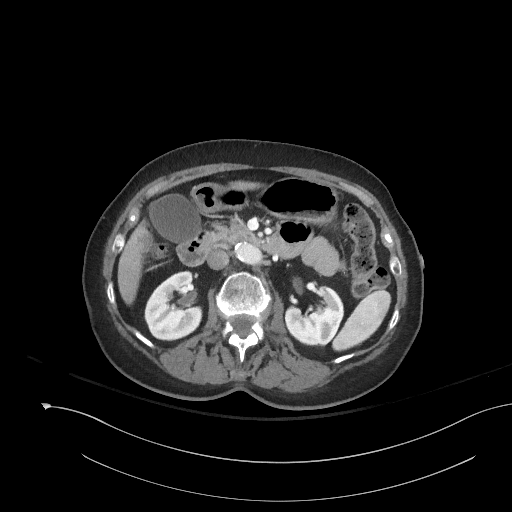
Abdominal CT with intravenous contrast, axial plane, 120 kVp, kernel I41f. Slice 100/153 from the bottom of the scan; thickness 3.00 mm; pixel size 0.893 mm.
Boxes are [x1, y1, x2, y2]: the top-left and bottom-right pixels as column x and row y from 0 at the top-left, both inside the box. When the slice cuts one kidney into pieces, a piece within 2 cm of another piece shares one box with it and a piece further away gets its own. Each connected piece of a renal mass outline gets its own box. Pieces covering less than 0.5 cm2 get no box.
Boxed on this slice (two kidney boxes), listed by box centre from the image's left to its right: (1) Box [144, 271, 203, 340]: right kidney (outlined area 3,048 px, about 24.3 cm2). (2) Left kidney at [284, 286, 343, 347] (outlined area 2,416 px, about 19.2 cm2). No renal mass outline on this slice.